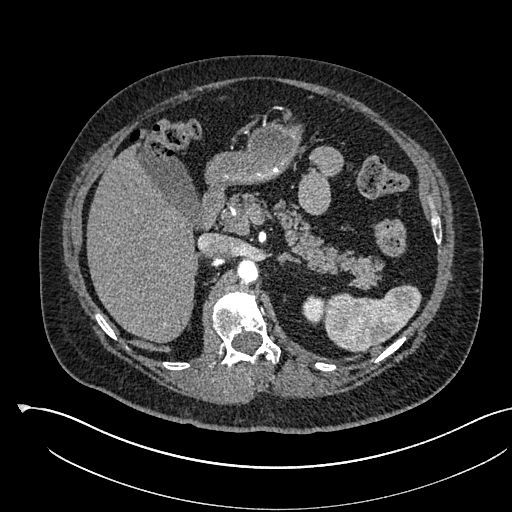
Arterial-phase contrast-enhanced abdominal CT, axial slice 385 of 541 (counted from the lowest slice); tube voltage 120 kVp, convolution kernel I30f; slices 1.00 mm thick, 0.834 mm per pixel.
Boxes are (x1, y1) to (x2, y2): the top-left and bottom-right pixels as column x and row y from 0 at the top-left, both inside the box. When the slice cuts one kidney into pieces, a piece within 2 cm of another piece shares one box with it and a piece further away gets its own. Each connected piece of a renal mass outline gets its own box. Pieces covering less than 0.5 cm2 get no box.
Left kidney, box (302, 295) to (324, 325) (outlined area 522 px, about 3.6 cm2). No renal mass is outlined on this slice.